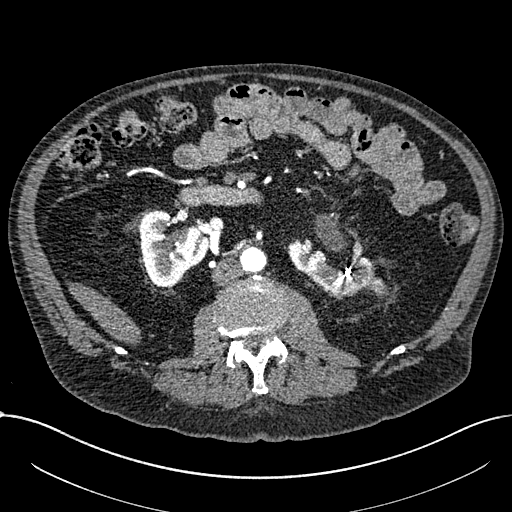
One axial slice (356 of 1059, counting up from the lowest) of an arterial-phase abdominal CT acquired with 100 kVp, kernel I30f; each pixel is 0.811 mm and the slice is 1.00 mm thick.
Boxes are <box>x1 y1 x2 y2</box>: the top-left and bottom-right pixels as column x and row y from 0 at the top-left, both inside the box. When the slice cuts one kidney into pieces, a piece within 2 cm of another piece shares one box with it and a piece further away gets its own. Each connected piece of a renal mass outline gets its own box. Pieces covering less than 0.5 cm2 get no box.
Two kidney boxes on this slice; by box centre, from the image's left to its right: (1) Right part of the midline-crossing kidney at <box>139 210 209 287</box> (outlined area 3,670 px, about 24.1 cm2). (2) Left part of the midline-crossing kidney at <box>287 239 388 298</box> (outlined area 3,329 px, about 21.9 cm2).